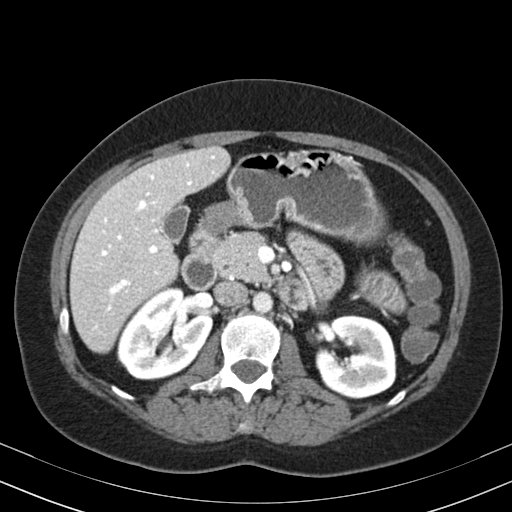
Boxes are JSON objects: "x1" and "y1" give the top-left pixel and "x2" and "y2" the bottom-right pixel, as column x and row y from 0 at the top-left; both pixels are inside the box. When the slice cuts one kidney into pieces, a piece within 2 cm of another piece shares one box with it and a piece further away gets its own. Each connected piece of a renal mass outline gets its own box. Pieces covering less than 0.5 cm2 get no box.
This is axial slice 115 of 164 (slice 1 is the lowest) of an arterial-phase abdominal CT with contrast; each pixel is 0.664 mm and the slice is 3.00 mm thick. Two kidney boxes on this slice; by box centre, from the image's left to its right: (1) Right kidney at {"x1": 116, "y1": 286, "x2": 212, "y2": 380} (outlined area 6,278 px, about 27.7 cm2). (2) Box {"x1": 315, "y1": 314, "x2": 396, "y2": 398}: left kidney (outlined area 5,445 px, about 24.0 cm2). No renal mass is outlined on this slice.
Acquired at 130 kVp and reconstructed with the B30s kernel.